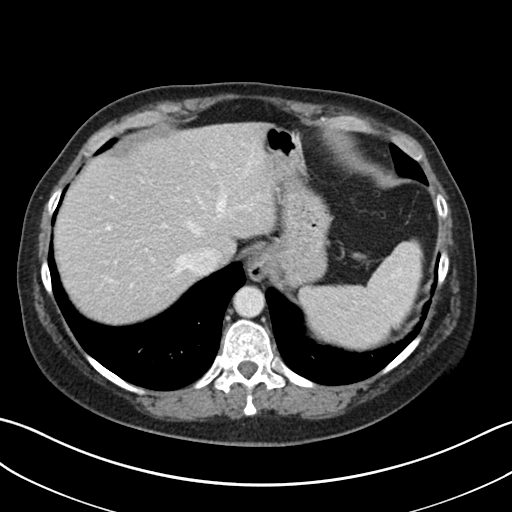
Abdominal CT with intravenous contrast, axial plane, 100 kVp, kernel I30f. Slice 38/38 from the bottom of the scan; thickness 5.00 mm; pixel size 0.730 mm.
No kidney and no renal mass is outlined on this slice; the outlines in this scan cover only the kidneys and the renal masses, so nothing is said about any other organ.